Axial slice 602 of 719 of a contrast-enhanced abdominal CT in the arterial phase (slice 1 is the lowest), 120 kVp, kernel B20f; 1.00 mm slice thickness and 0.766 mm pixels.
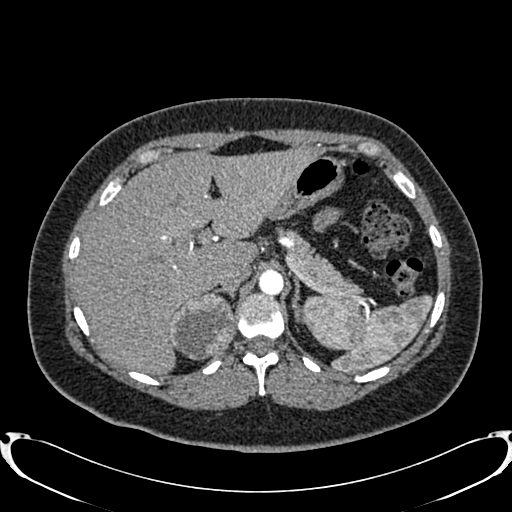
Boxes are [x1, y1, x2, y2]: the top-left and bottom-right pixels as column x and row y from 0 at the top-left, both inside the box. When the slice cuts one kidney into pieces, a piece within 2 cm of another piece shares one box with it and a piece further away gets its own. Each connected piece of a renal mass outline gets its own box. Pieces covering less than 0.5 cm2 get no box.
Box [170, 292, 234, 359]: right renal mass (outlined area 3,327 px, about 19.5 cm2); no kidney outline appears on this slice, but the same outlined renal mass comes within 1 cm of the kidney on another slice.